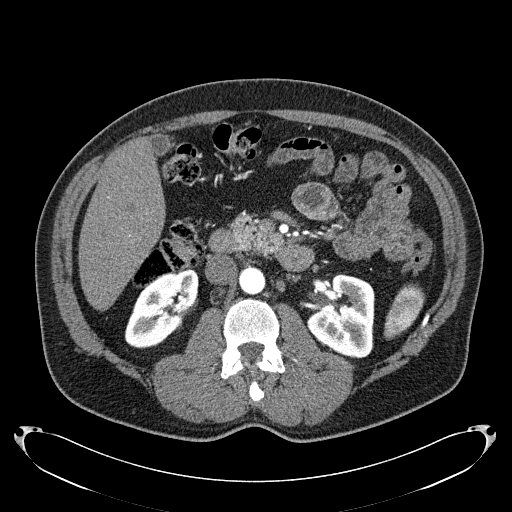
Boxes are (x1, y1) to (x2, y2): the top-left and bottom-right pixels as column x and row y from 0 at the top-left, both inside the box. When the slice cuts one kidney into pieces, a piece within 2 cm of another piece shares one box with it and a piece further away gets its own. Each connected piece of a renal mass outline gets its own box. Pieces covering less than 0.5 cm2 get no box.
This is axial slice 112 of 279 (slice 1 is the lowest) of an arterial-phase abdominal CT with contrast; each pixel is 0.824 mm and the slice is 2.00 mm thick. Two kidney boxes on this slice; by box centre, from the image's left to its right: (1) Right kidney, box (124, 269) to (198, 348) (outlined area 3,912 px, about 26.6 cm2). (2) Left kidney from (306, 274) to (374, 358) (outlined area 4,334 px, about 29.4 cm2). No renal mass outline on this slice.
Scan settings: 120 kVp, B31f reconstruction kernel.